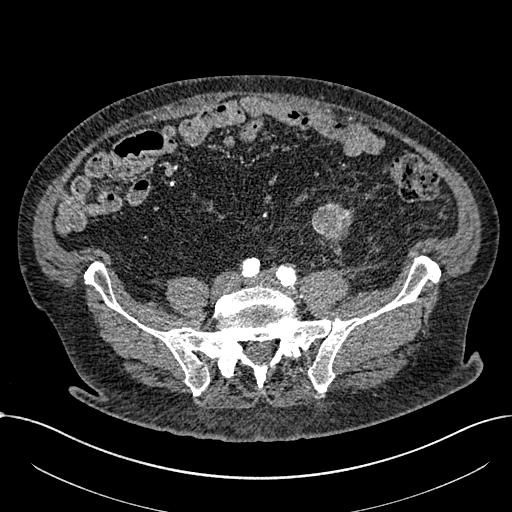
Abdominal CT with intravenous contrast, arterial phase, axial plane, 100 kVp, kernel I30f. Slice 163/1059 from the bottom of the scan; thickness 1.00 mm; pixel size 0.811 mm.
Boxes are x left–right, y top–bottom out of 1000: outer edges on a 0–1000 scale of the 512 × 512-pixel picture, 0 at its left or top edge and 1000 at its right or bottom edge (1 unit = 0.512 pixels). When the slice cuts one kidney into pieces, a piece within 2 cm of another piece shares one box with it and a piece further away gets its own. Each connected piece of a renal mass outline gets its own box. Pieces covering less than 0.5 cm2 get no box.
Box x 607–691, y 395–486 out of 1000: renal mass (outlined area 1,289 px, about 8.5 cm2); no kidney is outlined on this slice, but the same outlined renal mass comes within 1 cm of the kidney on another slice.